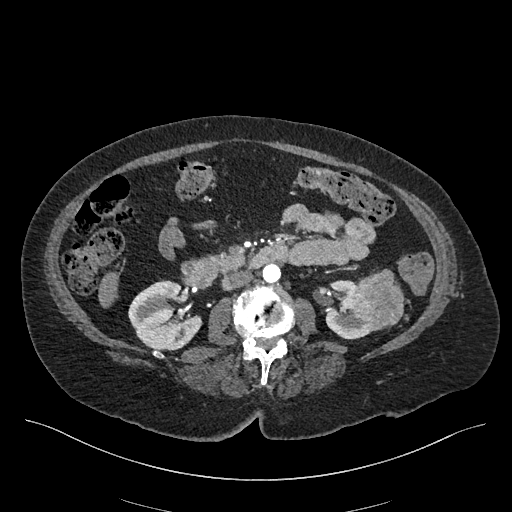
Abdominal CT with intravenous contrast, arterial phase, axial plane, 120 kVp, kernel I26f. Slice 230/548 from the bottom of the scan; thickness 1.00 mm; pixel size 0.852 mm.
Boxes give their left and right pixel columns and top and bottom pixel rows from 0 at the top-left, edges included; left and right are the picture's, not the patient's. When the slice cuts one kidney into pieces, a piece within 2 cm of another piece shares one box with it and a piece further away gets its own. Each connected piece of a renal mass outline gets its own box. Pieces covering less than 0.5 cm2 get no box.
Boxed on this slice (two kidney boxes and one renal mass box), listed by box centre from the image's left to its right: (1) Right kidney in the box with left 128, top 280, right 201, bottom 350 (outlined area 3,714 px, about 26.9 cm2). (2) Left kidney in the box with left 325, top 280, right 384, bottom 339 (outlined area 1,794 px, about 13.0 cm2). (3) Left renal mass in the box with left 351, top 269, right 403, bottom 327 (outlined area 2,361 px, about 17.1 cm2).